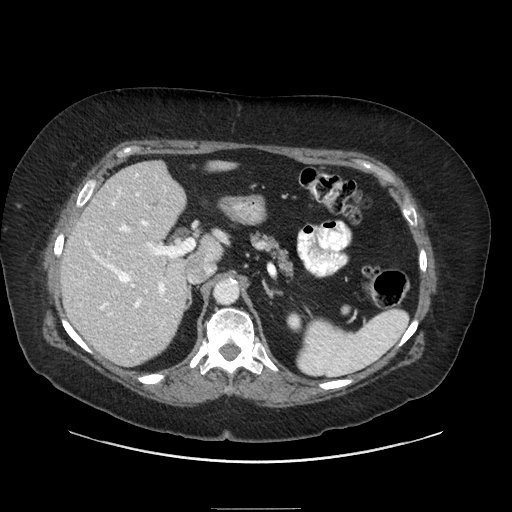
Contrast-enhanced abdominal CT, axial slice 148 of 186 (counted from the lowest slice); tube voltage 120 kVp, convolution kernel STANDARD; slices 2.50 mm thick, 0.850 mm per pixel.
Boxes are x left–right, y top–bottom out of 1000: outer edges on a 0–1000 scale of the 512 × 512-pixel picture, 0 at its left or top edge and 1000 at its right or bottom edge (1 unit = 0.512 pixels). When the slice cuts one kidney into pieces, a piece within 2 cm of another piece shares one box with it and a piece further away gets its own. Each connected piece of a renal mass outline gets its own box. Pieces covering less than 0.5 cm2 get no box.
Box x 559–594, y 607–650 out of 1000: left kidney (outlined area 278 px, about 2.0 cm2). This slice carries no renal mass outline.